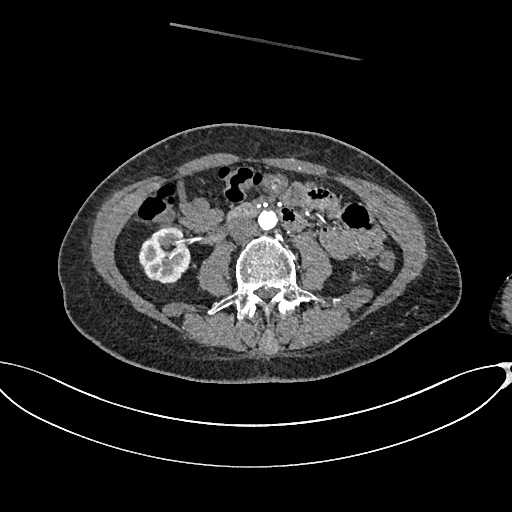
Axial slice 306 of 665 of a contrast-enhanced abdominal CT in the arterial phase (slice 1 is the lowest), 100 kVp, kernel I26f; 1.00 mm slice thickness and 0.828 mm pixels.
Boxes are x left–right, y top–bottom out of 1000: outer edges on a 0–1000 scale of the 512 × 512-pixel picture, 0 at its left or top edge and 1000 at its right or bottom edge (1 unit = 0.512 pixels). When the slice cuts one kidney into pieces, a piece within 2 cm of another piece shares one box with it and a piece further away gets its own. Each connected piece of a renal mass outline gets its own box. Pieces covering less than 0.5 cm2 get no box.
Box x 270–373, y 441–555 out of 1000: right kidney (outlined area 2,301 px, about 15.8 cm2). This slice carries no renal mass outline.